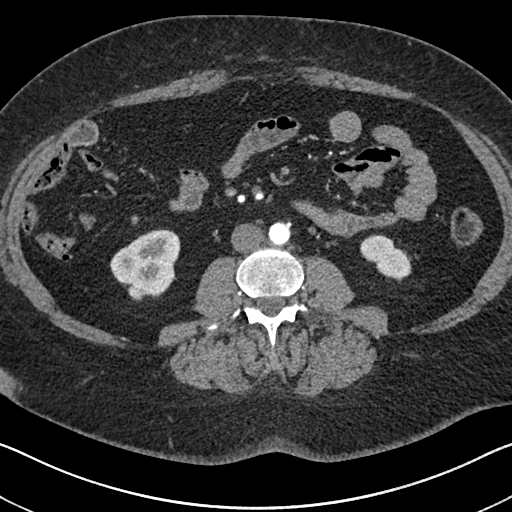
Abdominal CT with intravenous contrast, arterial phase, axial plane, 140 kVp, kernel I30f. Slice 302/591 from the bottom of the scan; thickness 1.00 mm; pixel size 0.703 mm.
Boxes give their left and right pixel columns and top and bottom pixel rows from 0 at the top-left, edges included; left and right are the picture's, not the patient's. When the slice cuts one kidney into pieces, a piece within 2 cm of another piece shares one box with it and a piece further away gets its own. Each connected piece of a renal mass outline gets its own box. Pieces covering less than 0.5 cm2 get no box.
Boxed on this slice (two kidney boxes), listed by box centre from the image's left to its right: (1) Right kidney, the box with left 109, top 229, right 180, bottom 300 (outlined area 3,554 px, about 17.6 cm2). (2) Left kidney, the box with left 360, top 234, right 411, bottom 282 (outlined area 1,556 px, about 7.7 cm2). No renal mass outline on this slice.